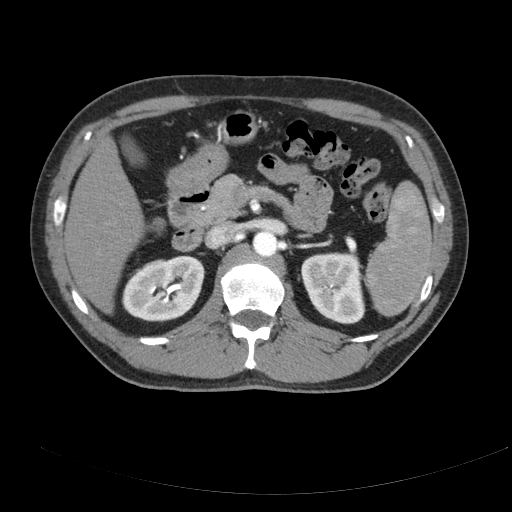
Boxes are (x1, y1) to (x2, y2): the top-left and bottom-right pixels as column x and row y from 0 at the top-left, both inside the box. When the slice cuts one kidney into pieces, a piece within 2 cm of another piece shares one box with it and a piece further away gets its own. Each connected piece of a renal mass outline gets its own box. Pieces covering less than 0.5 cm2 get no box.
Slice 118/178 of a contrast-enhanced abdominal CT, counting up from the lowest; pixel size 0.818 mm, slice thickness 3.00 mm. Boxed on this slice (two kidney boxes), listed by box centre from the image's left to its right: (1) Right kidney from (121, 255) to (205, 322) (outlined area 4,242 px, about 28.4 cm2). (2) Box (301, 252) to (365, 324): left kidney (outlined area 3,684 px, about 24.7 cm2). No renal mass outline on this slice.
Scan settings: 120 kVp, B reconstruction kernel.